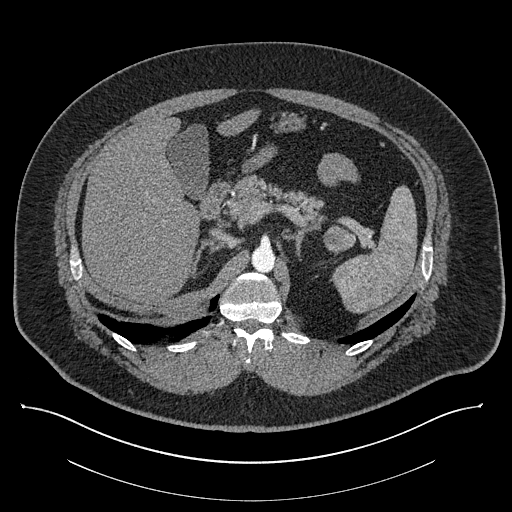
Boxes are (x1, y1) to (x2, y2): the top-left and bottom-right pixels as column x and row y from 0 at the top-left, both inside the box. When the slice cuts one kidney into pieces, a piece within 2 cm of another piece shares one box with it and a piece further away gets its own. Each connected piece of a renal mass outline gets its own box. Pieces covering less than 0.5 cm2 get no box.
Slice 576/787 of a contrast-enhanced abdominal CT, counting up from the lowest; pixel size 0.910 mm, slice thickness 1.00 mm. Box (323, 225) to (356, 254): left renal mass (outlined area 681 px, about 5.6 cm2); no kidney outline appears on this slice, but the same outlined renal mass comes within 1 cm of the kidney on another slice.
Acquired at 140 kVp and reconstructed with the I30f kernel.